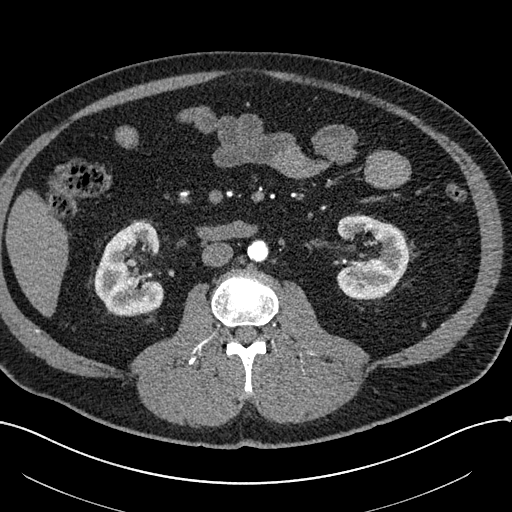
Arterial-phase contrast-enhanced abdominal CT, axial slice 282 of 602 (counted from the lowest slice); tube voltage 120 kVp, convolution kernel I30f; slices 1.00 mm thick, 0.799 mm per pixel.
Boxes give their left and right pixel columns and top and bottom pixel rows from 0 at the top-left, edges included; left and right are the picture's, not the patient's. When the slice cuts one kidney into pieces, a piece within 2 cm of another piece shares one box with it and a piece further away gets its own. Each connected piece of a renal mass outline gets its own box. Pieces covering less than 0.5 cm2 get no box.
Boxed on this slice (two kidney boxes), listed by box centre from the image's left to its right: (1) Box with left 94, top 221, right 163, bottom 315: right kidney (outlined area 4,745 px, about 30.3 cm2). (2) Left kidney, the box with left 335, top 215, right 408, bottom 299 (outlined area 4,453 px, about 28.4 cm2). No renal mass outline on this slice.